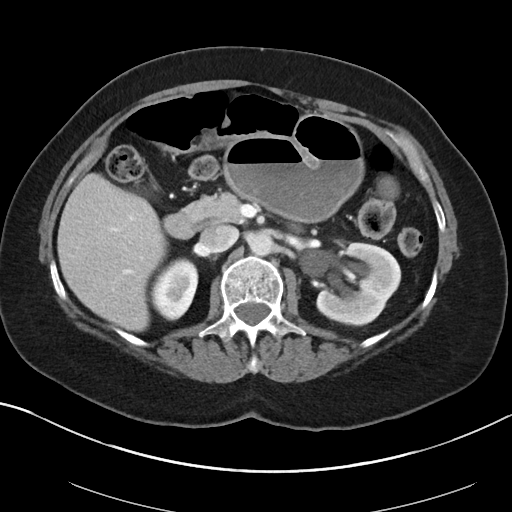
One axial slice (59 of 88, counting up from the lowest) of an arterial-phase abdominal CT acquired with 100 kVp, kernel I40f; each pixel is 0.705 mm and the slice is 5.00 mm thick.
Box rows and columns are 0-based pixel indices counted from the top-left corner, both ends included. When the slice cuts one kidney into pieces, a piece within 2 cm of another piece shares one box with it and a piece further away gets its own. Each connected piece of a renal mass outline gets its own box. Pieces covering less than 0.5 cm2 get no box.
Two boxes on this slice (two kidney boxes), listed by box centre from the image's left to its right. (1) Right kidney, box rows 257–320, columns 151–198 (outlined area 2,247 px, about 11.2 cm2). (2) Left kidney, box rows 242–326, columns 315–401 (outlined area 5,045 px, about 25.1 cm2). No renal mass outline on this slice.